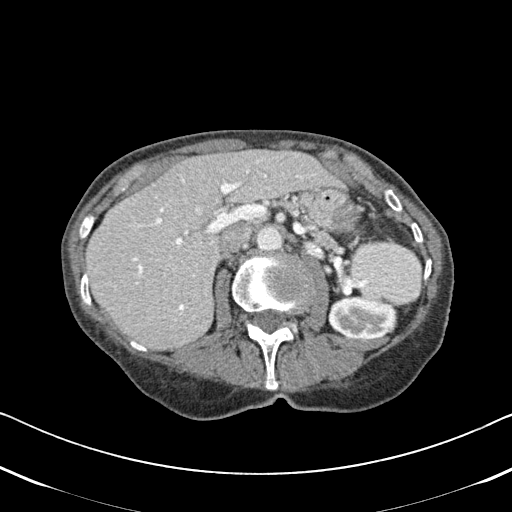
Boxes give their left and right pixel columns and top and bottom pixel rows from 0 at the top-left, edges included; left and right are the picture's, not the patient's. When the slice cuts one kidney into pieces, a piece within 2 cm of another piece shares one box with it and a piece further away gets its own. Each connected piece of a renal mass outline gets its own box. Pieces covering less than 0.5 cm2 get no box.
This is axial slice 311 of 620 (slice 1 is the lowest) of an arterial-phase abdominal CT with contrast; each pixel is 0.637 mm and the slice is 2.00 mm thick. Left kidney in the box with left 328, top 296, right 397, bottom 340 (outlined area 2,505 px, about 10.2 cm2). This slice carries no renal mass outline.
Scan settings: 120 kVp, B31f reconstruction kernel.